Axial slice 95 of 261 of a contrast-enhanced abdominal CT in the arterial phase (slice 1 is the lowest), 120 kVp, kernel I30f; 2.00 mm slice thickness and 0.939 mm pixels.
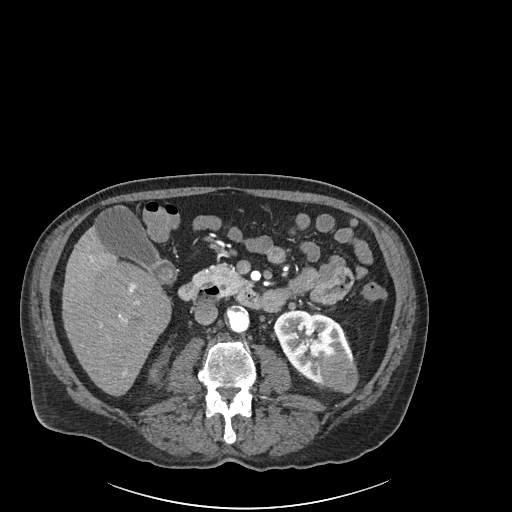
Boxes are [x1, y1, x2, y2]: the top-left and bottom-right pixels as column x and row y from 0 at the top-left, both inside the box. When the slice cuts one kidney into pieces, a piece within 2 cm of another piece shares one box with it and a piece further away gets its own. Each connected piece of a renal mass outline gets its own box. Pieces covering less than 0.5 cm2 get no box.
Two kidney boxes and one renal mass box on this slice; by box centre, from the image's left to its right: (1) Right kidney at [150, 362, 159, 376] (outlined area 109 px, about 1.0 cm2). (2) Box [273, 310, 353, 386]: left kidney (outlined area 3,456 px, about 30.5 cm2). (3) Left renal mass, box [319, 352, 358, 392] (outlined area 1,259 px, about 11.1 cm2).